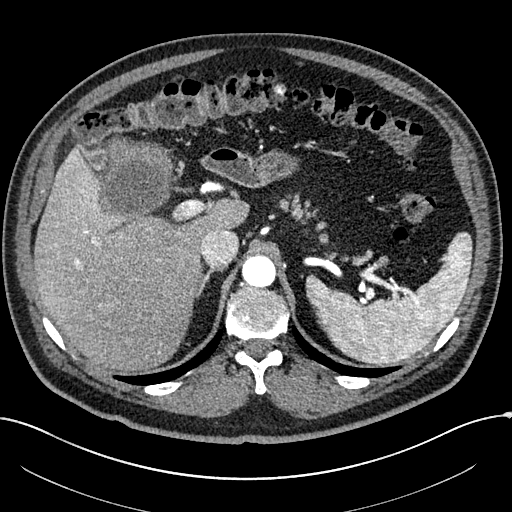
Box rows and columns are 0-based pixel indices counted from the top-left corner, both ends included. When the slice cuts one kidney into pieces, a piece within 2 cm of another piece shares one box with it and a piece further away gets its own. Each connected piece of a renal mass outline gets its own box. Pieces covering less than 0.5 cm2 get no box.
This is axial slice 188 of 304 (slice 1 is the lowest) of an arterial-phase abdominal CT with contrast; each pixel is 0.809 mm and the slice is 2.00 mm thick. Right renal mass at rows 141–218, columns 99–173 (outlined area 4,757 px, about 31.1 cm2); this slice has no kidney outline, though on another slice the same outlined renal mass lies within 1 cm of the kidney.
Acquired at 100 kVp and reconstructed with the I30f kernel.